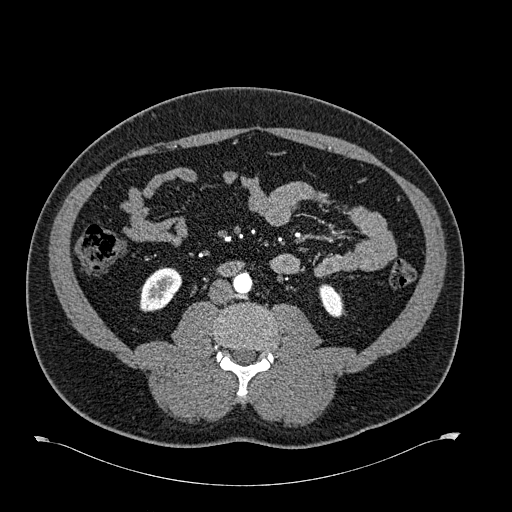
One axial slice (272 of 723, counting up from the lowest) of an arterial-phase abdominal CT acquired with 120 kVp, kernel B30f; each pixel is 0.895 mm and the slice is 1.00 mm thick.
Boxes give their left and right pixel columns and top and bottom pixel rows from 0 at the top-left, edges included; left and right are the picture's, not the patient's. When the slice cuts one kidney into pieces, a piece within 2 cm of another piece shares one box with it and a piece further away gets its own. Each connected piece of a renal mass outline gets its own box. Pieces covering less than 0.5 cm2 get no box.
Two kidney boxes on this slice; by box centre, from the image's left to its right: (1) Right kidney in the box with left 139, top 267, right 182, bottom 312 (outlined area 1,364 px, about 10.9 cm2). (2) Box with left 319, top 284, right 343, bottom 317: left kidney (outlined area 597 px, about 4.8 cm2). This slice carries no renal mass outline.